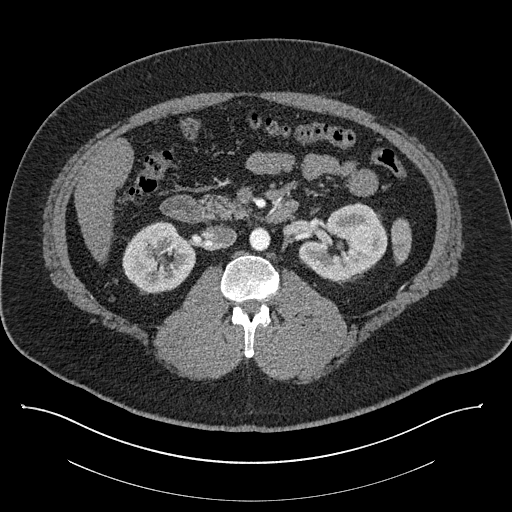
Axial slice 489 of 787 of a contrast-enhanced abdominal CT (slice 1 is the lowest), 140 kVp, kernel I30f; 1.00 mm slice thickness and 0.910 mm pixels.
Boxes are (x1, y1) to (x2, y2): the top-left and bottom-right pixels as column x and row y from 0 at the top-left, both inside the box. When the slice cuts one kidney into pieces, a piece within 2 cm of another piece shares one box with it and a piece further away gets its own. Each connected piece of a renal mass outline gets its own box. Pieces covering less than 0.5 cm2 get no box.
Two kidney boxes on this slice; by box centre, from the image's left to its right: (1) Right kidney, box (122, 221) to (195, 294) (outlined area 3,968 px, about 32.9 cm2). (2) Box (298, 202) to (387, 281): left kidney (outlined area 4,828 px, about 40.0 cm2). This slice carries no renal mass outline.